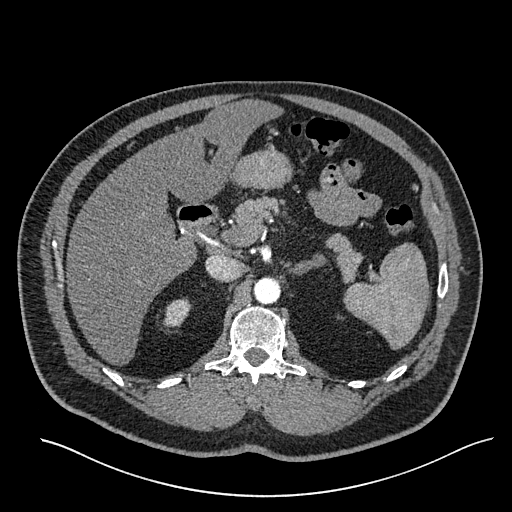
Arterial-phase contrast-enhanced abdominal CT, axial slice 405 of 527 (counted from the lowest slice); tube voltage 120 kVp, convolution kernel I30f; slices 1.00 mm thick, 0.859 mm per pixel.
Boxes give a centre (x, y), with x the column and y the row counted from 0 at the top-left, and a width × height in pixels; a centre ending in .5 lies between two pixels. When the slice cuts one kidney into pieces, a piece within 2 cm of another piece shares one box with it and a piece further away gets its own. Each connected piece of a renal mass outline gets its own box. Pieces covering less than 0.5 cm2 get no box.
Right kidney in a box with centre (177, 313), 29 × 31 pixels (outlined area 605 px, about 4.5 cm2). No renal mass outline on this slice.